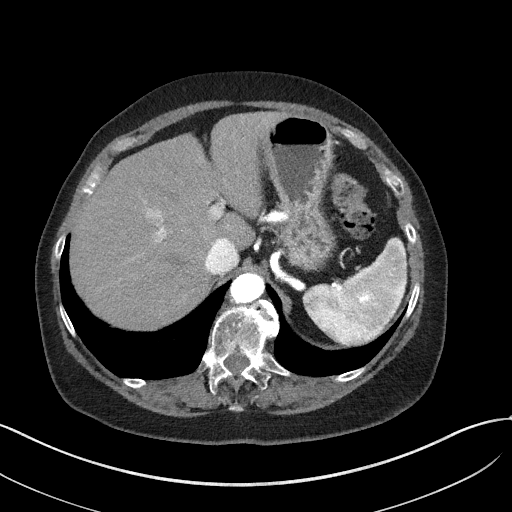
Abdominal CT with intravenous contrast, arterial phase, axial plane, 100 kVp, kernel I41f. Slice 48/50 from the bottom of the scan; thickness 3.00 mm; pixel size 0.758 mm.
This slice carries no outline: it lies beyond the outlined kidneys and beyond every outlined renal mass. Other organs are not outlined in this scan.